Axial slice 62 of 274 of a contrast-enhanced abdominal CT in the arterial phase (slice 1 is the lowest), 120 kVp, kernel B30f; 2.00 mm slice thickness and 0.809 mm pixels.
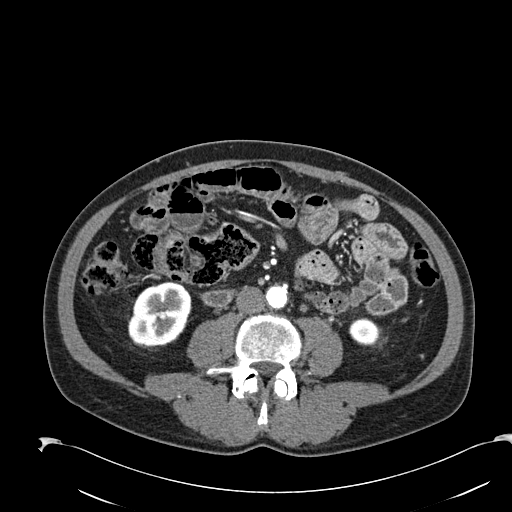
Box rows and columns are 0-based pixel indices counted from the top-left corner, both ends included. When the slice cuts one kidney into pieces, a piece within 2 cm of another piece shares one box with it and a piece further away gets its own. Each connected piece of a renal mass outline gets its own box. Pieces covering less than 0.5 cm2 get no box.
Boxed on this slice (two kidney boxes), listed by box centre from the image's left to its right: (1) Right kidney, box rows 282–350, columns 128–191 (outlined area 3,278 px, about 21.4 cm2). (2) Left kidney, box rows 317–345, columns 348–379 (outlined area 667 px, about 4.4 cm2). This slice carries no renal mass outline.